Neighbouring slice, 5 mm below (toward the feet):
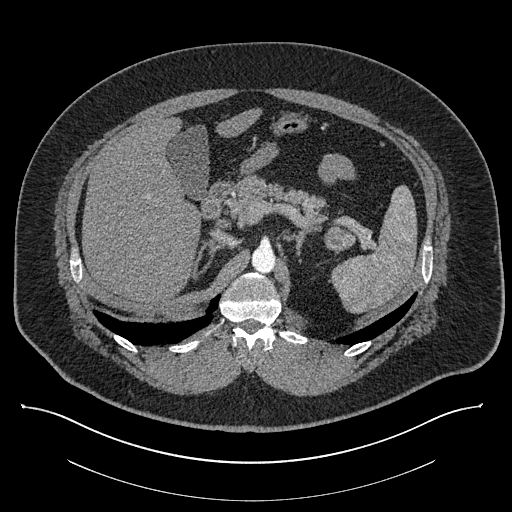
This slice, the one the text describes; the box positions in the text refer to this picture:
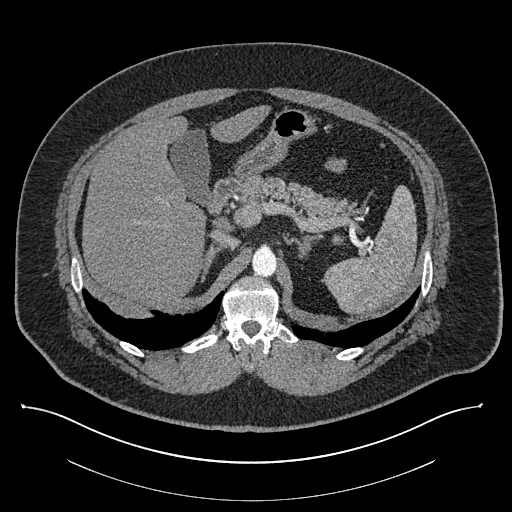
Axial slice 588 of 787 of a contrast-enhanced abdominal CT (slice 1 is the lowest), 140 kVp, kernel I30f; 1.00 mm slice thickness and 0.910 mm pixels.
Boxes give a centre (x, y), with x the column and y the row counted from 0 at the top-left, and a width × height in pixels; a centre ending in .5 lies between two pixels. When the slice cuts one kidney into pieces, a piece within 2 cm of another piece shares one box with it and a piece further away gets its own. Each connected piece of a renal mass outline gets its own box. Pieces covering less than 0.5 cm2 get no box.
Box centre (338, 239), 13 × 11 pixels: left renal mass (outlined area 109 px, about 0.9 cm2); no kidney is outlined on this slice, but the same outlined renal mass comes within 1 cm of the kidney on another slice. This slice lies near the end of the left renal mass toward the head; the slice 5 mm below it is shown too, and the boxes mark positions on this slice only.